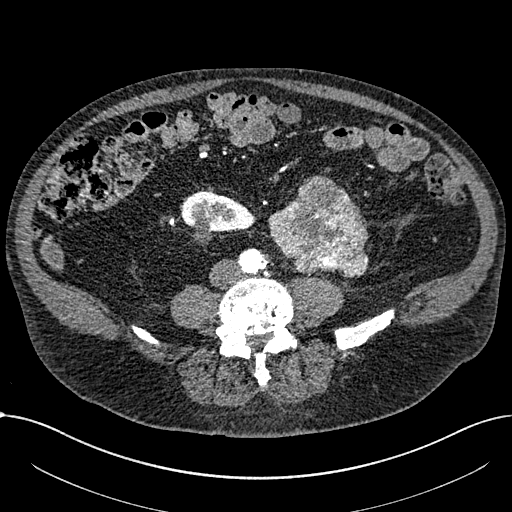
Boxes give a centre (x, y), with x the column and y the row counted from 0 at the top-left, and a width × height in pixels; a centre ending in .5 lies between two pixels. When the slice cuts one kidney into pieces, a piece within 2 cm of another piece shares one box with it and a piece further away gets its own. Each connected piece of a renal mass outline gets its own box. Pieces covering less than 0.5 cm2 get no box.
This is axial slice 228 of 1059 (slice 1 is the lowest) of an arterial-phase abdominal CT with contrast; each pixel is 0.811 mm and the slice is 1.00 mm thick. Boxed on this slice (one kidney box and one renal mass box), listed by box centre from the image's left to its right: (1) Right part of the midline-crossing kidney in a box with centre (218, 218), 75 × 57 pixels (outlined area 2,514 px, about 16.5 cm2). (2) Renal mass, box centre (318, 226), 101 × 103 pixels (outlined area 7,208 px, about 47.4 cm2); it sits over 1 cm from every kidney outline on this slice, but the same outlined renal mass comes within 1 cm of the kidney on another slice.
Acquired at 100 kVp and reconstructed with the I30f kernel.